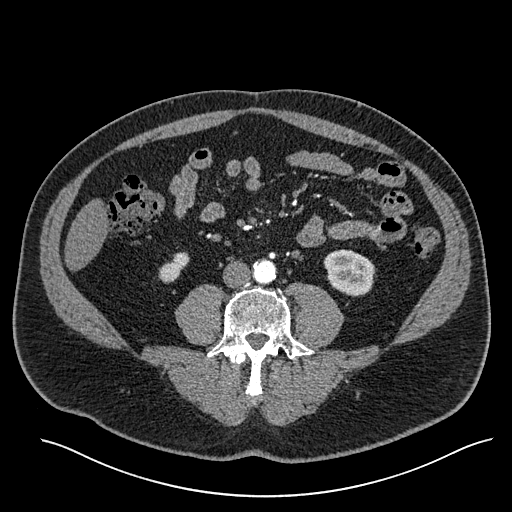
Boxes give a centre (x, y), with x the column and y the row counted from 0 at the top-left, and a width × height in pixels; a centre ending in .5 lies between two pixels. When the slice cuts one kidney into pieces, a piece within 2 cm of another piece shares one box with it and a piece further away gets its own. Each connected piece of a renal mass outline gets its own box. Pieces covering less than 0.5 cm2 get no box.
This is axial slice 201 of 527 (slice 1 is the lowest) of an arterial-phase abdominal CT with contrast; each pixel is 0.859 mm and the slice is 1.00 mm thick. Two boxes on this slice (two kidney boxes), listed by box centre from the image's left to its right. (1) Right kidney in a box with centre (173.5, 267.5), 32 × 32 pixels (outlined area 586 px, about 4.3 cm2). (2) Left kidney in a box with centre (349, 272.5), 53 × 48 pixels (outlined area 1,885 px, about 13.9 cm2). No renal mass outline on this slice.
Scan settings: 120 kVp, I30f reconstruction kernel.